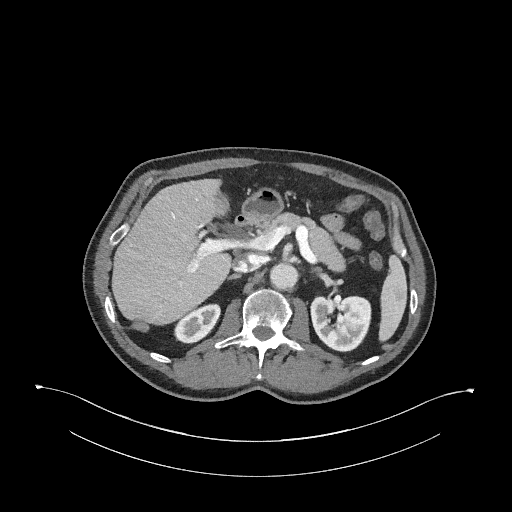
Abdominal CT with intravenous contrast, arterial phase, axial plane, 120 kVp, kernel I31f. Slice 169/345 from the bottom of the scan; thickness 2.00 mm; pixel size 0.977 mm.
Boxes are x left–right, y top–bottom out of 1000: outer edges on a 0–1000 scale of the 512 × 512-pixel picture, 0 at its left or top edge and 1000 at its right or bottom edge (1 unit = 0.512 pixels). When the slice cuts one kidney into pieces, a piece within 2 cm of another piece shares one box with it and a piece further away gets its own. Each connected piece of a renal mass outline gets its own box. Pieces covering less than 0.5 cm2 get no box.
Two boxes on this slice (two kidney boxes), listed by box centre from the image's left to its right. (1) Right kidney at x 340–432, y 592–672 out of 1000 (outlined area 1,273 px, about 12.1 cm2). (2) Left kidney at x 605–727, y 574–689 out of 1000 (outlined area 2,898 px, about 27.6 cm2). No renal mass outline on this slice.